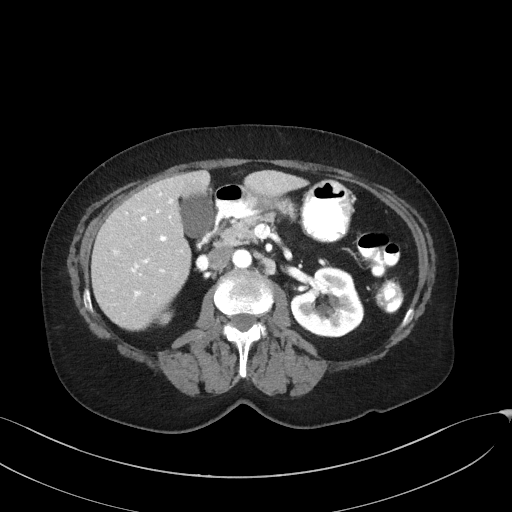
Axial slice 92 of 129 of a contrast-enhanced abdominal CT in the arterial phase (slice 1 is the lowest), 100 kVp, kernel I41f; 3.00 mm slice thickness and 0.779 mm pixels.
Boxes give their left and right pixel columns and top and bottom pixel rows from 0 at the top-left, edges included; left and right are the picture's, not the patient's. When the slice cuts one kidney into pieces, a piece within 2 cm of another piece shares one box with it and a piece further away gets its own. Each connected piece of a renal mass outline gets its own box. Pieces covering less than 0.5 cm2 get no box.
Two kidney boxes on this slice; by box centre, from the image's left to its right: (1) Right kidney in the box with left 156, top 309, right 173, bottom 325 (outlined area 195 px, about 1.2 cm2). (2) Box with left 290, top 266, right 364, bottom 337: left kidney (outlined area 3,915 px, about 23.8 cm2). This slice carries no renal mass outline.